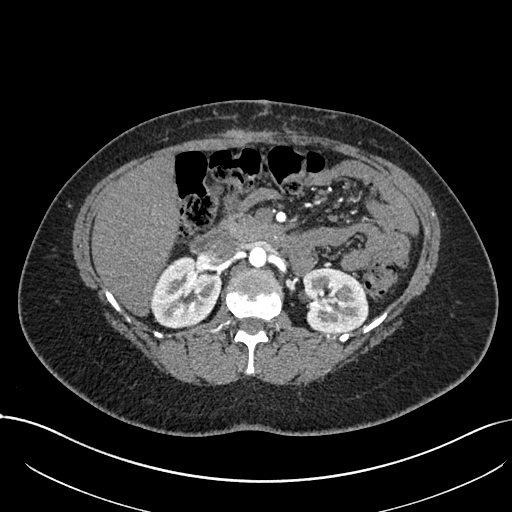
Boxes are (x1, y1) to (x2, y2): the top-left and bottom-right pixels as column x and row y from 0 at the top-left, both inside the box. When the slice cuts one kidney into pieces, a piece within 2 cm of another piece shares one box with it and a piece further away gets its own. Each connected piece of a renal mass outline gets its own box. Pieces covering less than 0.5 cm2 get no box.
Arterial-phase contrast-enhanced abdominal CT, axial slice 444 of 738 (counted from the lowest slice); 1.00 mm thick, 0.789 mm per pixel. Boxed on this slice (two kidney boxes), listed by box centre from the image's left to its right: (1) Right kidney from (151, 255) to (221, 328) (outlined area 3,884 px, about 24.2 cm2). (2) Left kidney from (301, 268) to (368, 332) (outlined area 3,531 px, about 22.0 cm2). No renal mass is outlined on this slice.
Scan settings: 120 kVp, I30f reconstruction kernel.